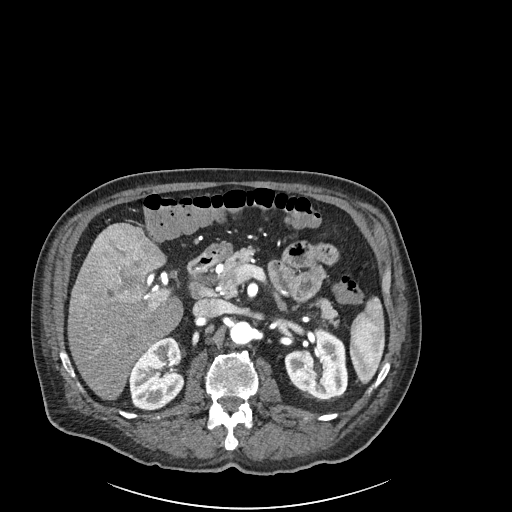
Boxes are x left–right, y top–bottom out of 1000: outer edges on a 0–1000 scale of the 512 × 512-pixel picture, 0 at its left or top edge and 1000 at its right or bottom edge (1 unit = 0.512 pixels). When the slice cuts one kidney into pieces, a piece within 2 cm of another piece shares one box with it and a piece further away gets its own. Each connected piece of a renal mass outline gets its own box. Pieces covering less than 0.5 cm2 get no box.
Arterial-phase contrast-enhanced abdominal CT, axial slice 132 of 261 (counted from the lowest slice); 2.00 mm thick, 0.939 mm per pixel. Two kidney boxes on this slice; by box centre, from the image's left to its right: (1) Right kidney at x 250–363, y 658–801 out of 1000 (outlined area 3,036 px, about 26.8 cm2). (2) Box x 555–682, y 643–781 out of 1000: left kidney (outlined area 3,317 px, about 29.3 cm2). This slice carries no renal mass outline.
Scan settings: 120 kVp, I30f reconstruction kernel.